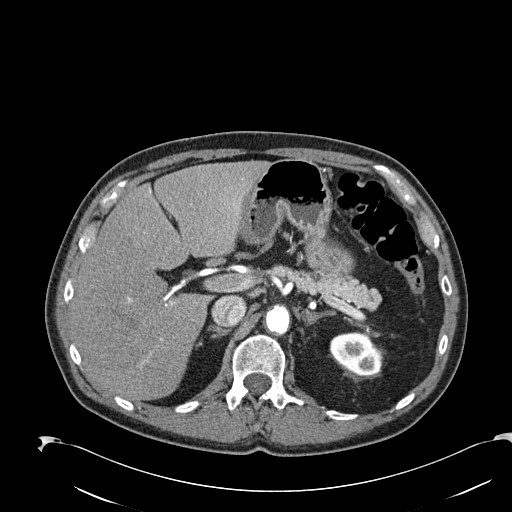
One axial slice (163 of 274, counting up from the lowest) of an arterial-phase abdominal CT acquired with 120 kVp, kernel B30f; each pixel is 0.809 mm and the slice is 2.00 mm thick.
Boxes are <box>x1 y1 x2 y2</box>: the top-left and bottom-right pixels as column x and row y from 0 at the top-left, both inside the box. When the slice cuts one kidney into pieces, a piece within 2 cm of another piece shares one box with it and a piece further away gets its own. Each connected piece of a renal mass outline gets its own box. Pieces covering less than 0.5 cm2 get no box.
At <box>330 332 381 375</box>: left kidney (outlined area 1,707 px, about 11.2 cm2). No renal mass outline on this slice.